Abdominal CT with intravenous contrast, arterial phase, axial plane, 120 kVp, kernel STANDARD. Slice 71/106 from the bottom of the scan; thickness 2.50 mm; pixel size 0.742 mm.
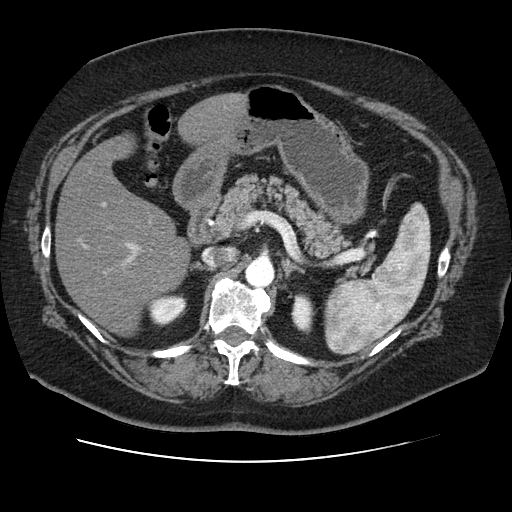
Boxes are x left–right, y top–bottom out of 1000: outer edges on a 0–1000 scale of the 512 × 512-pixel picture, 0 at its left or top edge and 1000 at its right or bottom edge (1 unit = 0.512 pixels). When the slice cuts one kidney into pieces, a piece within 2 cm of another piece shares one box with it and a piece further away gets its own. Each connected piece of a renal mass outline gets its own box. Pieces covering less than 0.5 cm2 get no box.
Two boxes on this slice (two kidney boxes), listed by box centre from the image's left to its right. (1) Right kidney at x 287–365, y 574–639 out of 1000 (outlined area 978 px, about 5.4 cm2). (2) Left kidney, box x 568–617, y 572–652 out of 1000 (outlined area 722 px, about 4.0 cm2). No renal mass is outlined on this slice.